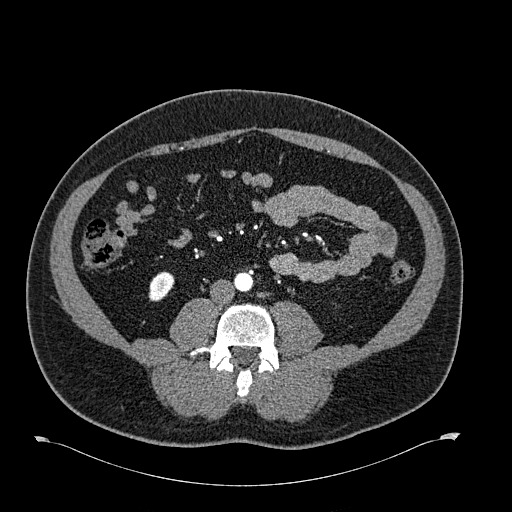
One axial slice (254 of 723, counting up from the lowest) of an arterial-phase abdominal CT acquired with 120 kVp, kernel B30f; each pixel is 0.895 mm and the slice is 1.00 mm thick.
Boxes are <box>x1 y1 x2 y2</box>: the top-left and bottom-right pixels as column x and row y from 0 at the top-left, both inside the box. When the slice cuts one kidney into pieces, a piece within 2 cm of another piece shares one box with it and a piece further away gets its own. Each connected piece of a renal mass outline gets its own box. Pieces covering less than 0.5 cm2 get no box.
Right kidney at <box>148 271 174 301</box> (outlined area 587 px, about 4.7 cm2). This slice carries no renal mass outline.